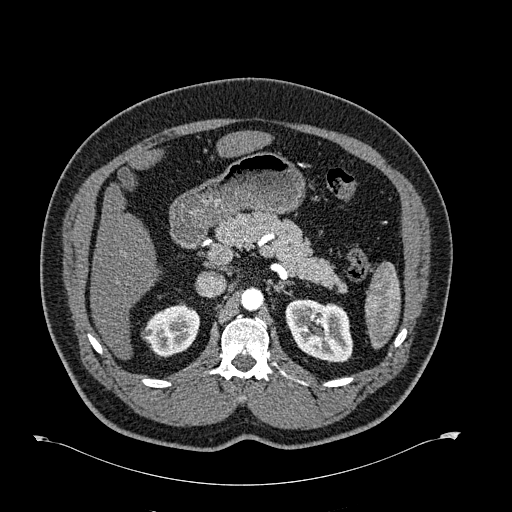
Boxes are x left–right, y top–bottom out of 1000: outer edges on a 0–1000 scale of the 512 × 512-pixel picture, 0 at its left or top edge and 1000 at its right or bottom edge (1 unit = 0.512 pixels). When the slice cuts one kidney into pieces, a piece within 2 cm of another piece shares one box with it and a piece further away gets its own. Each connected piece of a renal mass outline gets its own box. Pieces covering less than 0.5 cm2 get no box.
Arterial-phase contrast-enhanced abdominal CT, axial slice 433 of 723 (counted from the lowest slice); 1.00 mm thick, 0.895 mm per pixel. Two kidney boxes on this slice; by box centre, from the image's left to its right: (1) Right kidney, box x 275–389, y 590–697 out of 1000 (outlined area 2,252 px, about 18.0 cm2). (2) Box x 557–691, y 584–709 out of 1000: left kidney (outlined area 3,348 px, about 26.8 cm2). No renal mass outline on this slice.
Tube voltage 120 kVp; convolution kernel B30f.